Axial slice 678 of 987 of a contrast-enhanced abdominal CT in the arterial phase (slice 1 is the lowest), 120 kVp, kernel I26f; 1.00 mm slice thickness and 0.977 mm pixels.
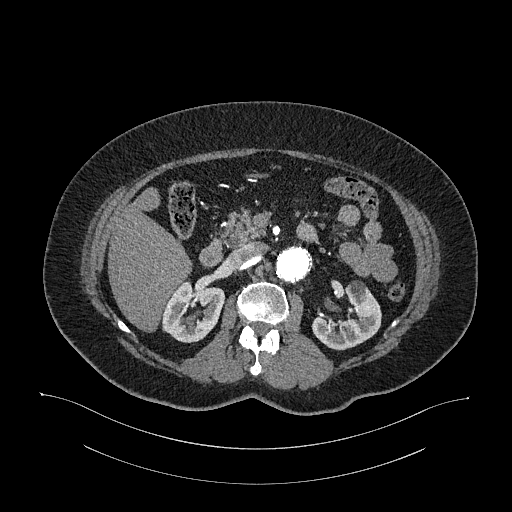
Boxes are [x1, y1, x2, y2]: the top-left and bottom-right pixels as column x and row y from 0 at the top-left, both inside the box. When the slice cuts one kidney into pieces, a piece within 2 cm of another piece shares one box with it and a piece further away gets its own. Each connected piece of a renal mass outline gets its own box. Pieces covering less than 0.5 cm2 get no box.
Two boxes on this slice (two kidney boxes), listed by box centre from the image's left to its right. (1) Right kidney, box [161, 279, 224, 342] (outlined area 2,885 px, about 27.5 cm2). (2) Box [312, 281, 381, 350]: left kidney (outlined area 2,968 px, about 28.3 cm2). This slice carries no renal mass outline.